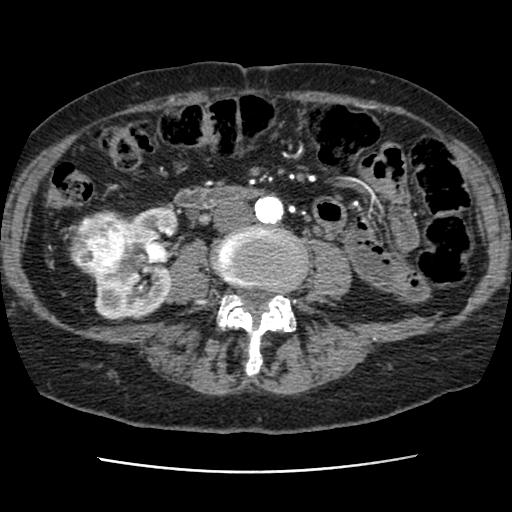
Abdominal CT with intravenous contrast, axial plane, 120 kVp, kernel STANDARD. Slice 26/76 from the bottom of the scan; thickness 2.50 mm; pixel size 0.586 mm.
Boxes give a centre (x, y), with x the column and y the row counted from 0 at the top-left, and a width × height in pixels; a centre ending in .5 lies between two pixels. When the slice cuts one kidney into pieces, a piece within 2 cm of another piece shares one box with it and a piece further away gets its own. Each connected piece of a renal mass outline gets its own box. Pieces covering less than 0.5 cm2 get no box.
Two boxes on this slice (one kidney box and one renal mass box), listed by box centre from the image's left to its right. (1) Right renal mass, box centre (103, 245.5), 73 × 72 pixels (outlined area 3,980 px, about 13.7 cm2). (2) Right kidney, box centre (136, 263.5), 85 × 116 pixels (outlined area 5,405 px, about 18.6 cm2).